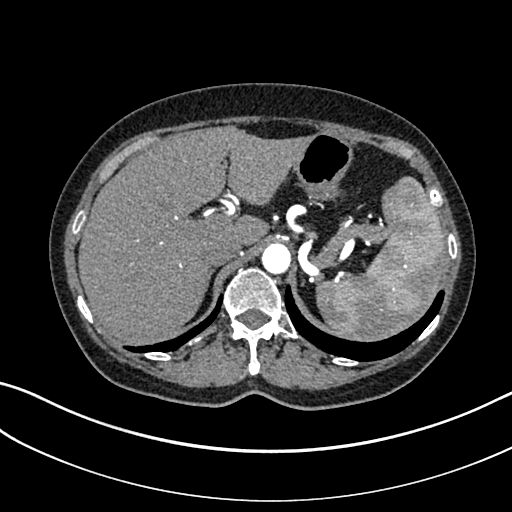
Arterial-phase contrast-enhanced abdominal CT, axial slice 278 of 325 (counted from the lowest slice); 1.00 mm thick, 0.703 mm per pixel. Neither a kidney nor a renal mass is outlined here. Only kidneys and renal masses are outlined anywhere in this scan; other structures are never outlined.
Scan settings: 100 kVp, I30f reconstruction kernel.